Arterial-phase contrast-enhanced abdominal CT, axial slice 81 of 105 (counted from the lowest slice); tube voltage 120 kVp, convolution kernel STANDARD; slices 5.00 mm thick, 0.707 mm per pixel.
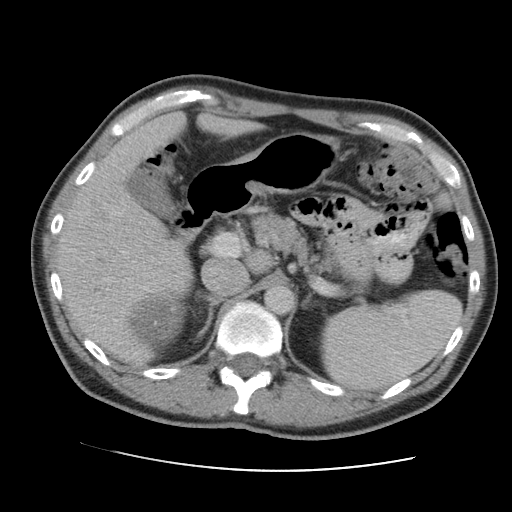
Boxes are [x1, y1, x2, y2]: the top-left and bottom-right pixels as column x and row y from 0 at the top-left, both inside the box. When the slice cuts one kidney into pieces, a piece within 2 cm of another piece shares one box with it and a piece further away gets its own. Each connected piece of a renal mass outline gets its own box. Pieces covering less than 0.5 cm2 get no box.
Box [124, 291, 191, 347]: right renal mass (outlined area 2,941 px, about 14.7 cm2); no kidney is outlined on this slice, but the same outlined renal mass comes within 1 cm of the kidney on another slice.